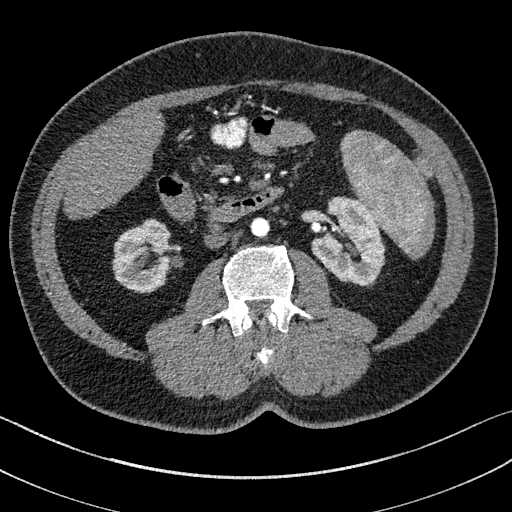
One axial slice (71 of 195, counting up from the lowest) of an arterial-phase abdominal CT acquired with 100 kVp, kernel I31f; each pixel is 0.707 mm and the slice is 1.50 mm thick.
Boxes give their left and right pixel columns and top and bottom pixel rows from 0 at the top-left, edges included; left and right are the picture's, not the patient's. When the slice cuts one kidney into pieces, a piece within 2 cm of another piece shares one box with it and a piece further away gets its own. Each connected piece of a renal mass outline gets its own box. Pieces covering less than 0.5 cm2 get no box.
Boxed on this slice (two kidney boxes), listed by box centre from the image's left to its right: (1) Right kidney, the box with left 113, top 219, right 173, bottom 292 (outlined area 3,310 px, about 16.5 cm2). (2) Left kidney, the box with left 312, top 196, right 384, bottom 285 (outlined area 4,543 px, about 22.7 cm2). This slice carries no renal mass outline.